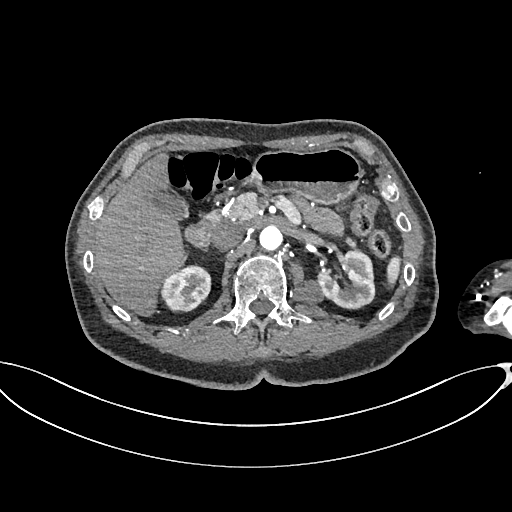
Axial slice 438 of 665 of a contrast-enhanced abdominal CT in the arterial phase (slice 1 is the lowest), 100 kVp, kernel I26f; 1.00 mm slice thickness and 0.828 mm pixels.
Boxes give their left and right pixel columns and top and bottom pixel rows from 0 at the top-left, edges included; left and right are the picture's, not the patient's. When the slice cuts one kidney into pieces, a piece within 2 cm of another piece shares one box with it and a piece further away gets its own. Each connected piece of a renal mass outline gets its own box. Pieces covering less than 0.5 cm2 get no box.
Two kidney boxes and one renal mass box on this slice; by box centre, from the image's left to its right: (1) Right kidney in the box with left 161, top 264, right 211, bottom 312 (outlined area 1,865 px, about 12.8 cm2). (2) Box with left 291, top 280, right 323, bottom 304: left renal mass (outlined area 583 px, about 4.0 cm2). (3) Box with left 317, top 250, right 374, bottom 308: left kidney (outlined area 2,376 px, about 16.3 cm2).